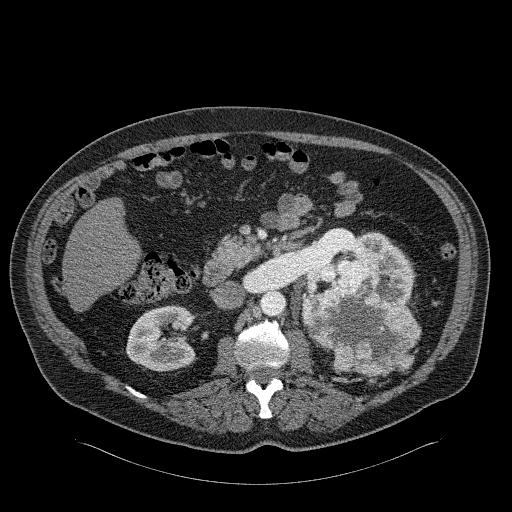
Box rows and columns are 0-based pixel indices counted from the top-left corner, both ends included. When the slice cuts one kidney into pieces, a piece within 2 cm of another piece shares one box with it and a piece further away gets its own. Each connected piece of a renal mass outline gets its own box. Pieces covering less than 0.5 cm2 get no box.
Slice 127/326 of a contrast-enhanced abdominal CT in the arterial phase, counting up from the lowest; pixel size 0.963 mm, slice thickness 2.00 mm. Two kidney boxes and one renal mass box on this slice; by box centre, from the image's left to its right: (1) Box rows 305–371, columns 126–194: right kidney (outlined area 3,548 px, about 32.9 cm2). (2) Box rows 231–303, columns 305–414: left kidney (outlined area 3,296 px, about 30.6 cm2). (3) Left renal mass, box rows 257–377, columns 301–420 (outlined area 8,949 px, about 83.0 cm2).
Scan settings: 120 kVp, B31f reconstruction kernel.